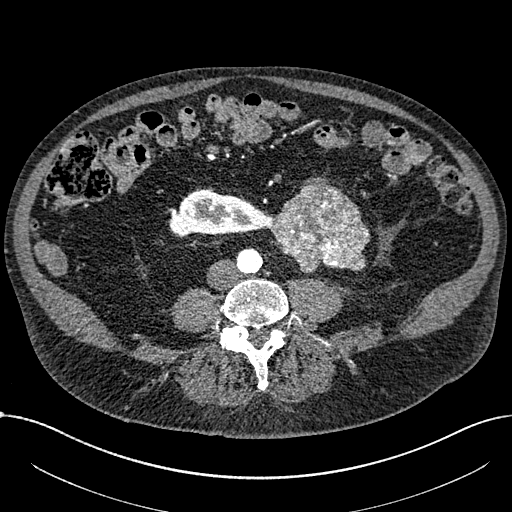
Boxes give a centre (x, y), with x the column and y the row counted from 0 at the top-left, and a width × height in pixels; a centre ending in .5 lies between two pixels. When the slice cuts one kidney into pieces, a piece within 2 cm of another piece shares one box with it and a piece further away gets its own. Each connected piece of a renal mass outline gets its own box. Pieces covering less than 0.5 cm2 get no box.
Arterial-phase contrast-enhanced abdominal CT, axial slice 243 of 1059 (counted from the lowest slice); 1.00 mm thick, 0.811 mm per pixel. Boxed on this slice (one kidney box and one renal mass box), listed by box centre from the image's left to its right: (1) Right part of the midline-crossing kidney, box centre (220, 212.5), 103 × 48 pixels (outlined area 3,454 px, about 22.7 cm2). (2) Renal mass, box centre (319.5, 225), 102 × 95 pixels (outlined area 6,554 px, about 43.1 cm2).
Acquired at 100 kVp and reconstructed with the I30f kernel.